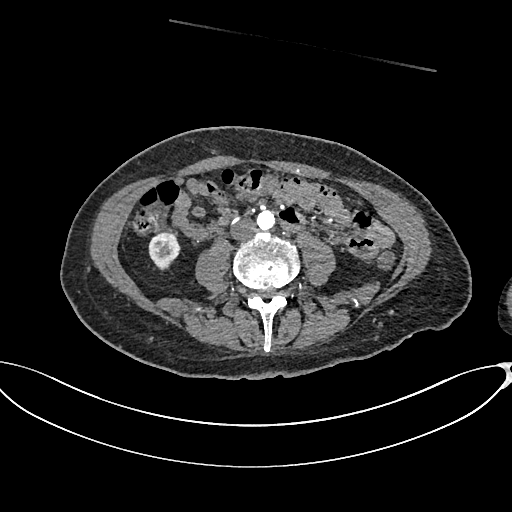
Arterial-phase contrast-enhanced abdominal CT, axial slice 282 of 665 (counted from the lowest slice); tube voltage 100 kVp, convolution kernel I26f; slices 1.00 mm thick, 0.828 mm per pixel.
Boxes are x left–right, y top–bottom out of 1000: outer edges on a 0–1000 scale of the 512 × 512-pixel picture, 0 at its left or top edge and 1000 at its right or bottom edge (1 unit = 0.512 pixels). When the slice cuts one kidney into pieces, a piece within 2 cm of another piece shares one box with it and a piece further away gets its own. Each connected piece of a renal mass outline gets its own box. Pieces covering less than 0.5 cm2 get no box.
Right kidney, box x 289–354, y 451–529 out of 1000 (outlined area 936 px, about 6.4 cm2). This slice carries no renal mass outline.